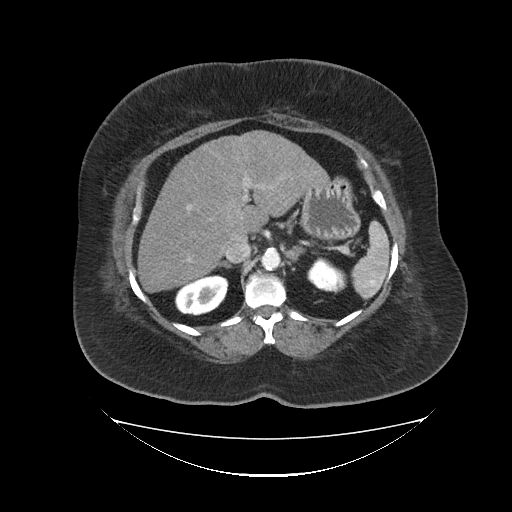
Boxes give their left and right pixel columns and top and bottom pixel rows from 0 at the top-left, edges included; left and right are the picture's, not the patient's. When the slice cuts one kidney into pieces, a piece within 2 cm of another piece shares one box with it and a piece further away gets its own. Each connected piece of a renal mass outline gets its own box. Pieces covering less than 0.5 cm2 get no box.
Slice 67/85 of a contrast-enhanced abdominal CT in the arterial phase, counting up from the lowest; pixel size 1.041 mm, slice thickness 5.00 mm. Two kidney boxes on this slice; by box centre, from the image's left to its right: (1) Right kidney, the box with left 174, top 275, right 228, bottom 315 (outlined area 1,649 px, about 17.9 cm2). (2) Left kidney in the box with left 307, top 257, right 346, bottom 293 (outlined area 1,009 px, about 10.9 cm2). No renal mass outline on this slice.
Acquired at 120 kVp and reconstructed with the FC19 kernel.